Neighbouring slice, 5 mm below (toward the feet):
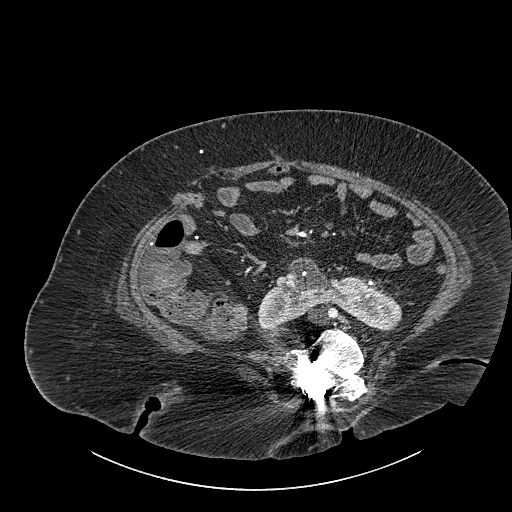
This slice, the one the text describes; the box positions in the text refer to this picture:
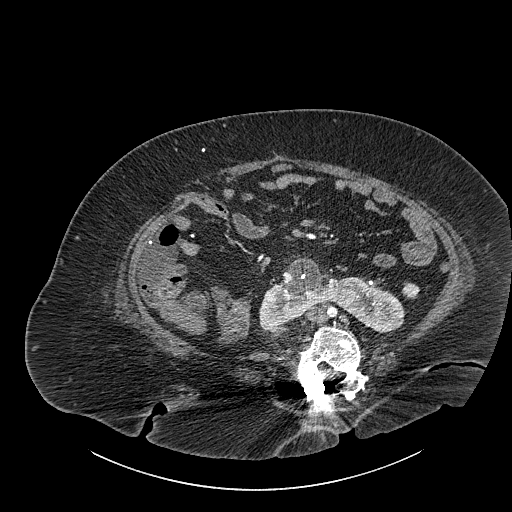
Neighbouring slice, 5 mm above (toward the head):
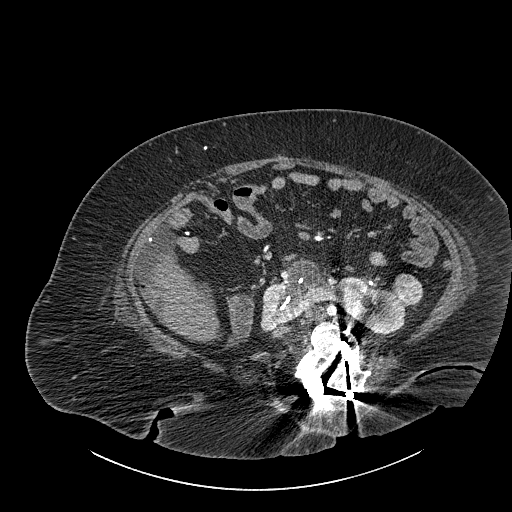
One axial slice (474 of 834, counting up from the lowest) of a contrast-enhanced abdominal CT acquired with 140 kVp, kernel I30f; each pixel is 0.977 mm and the slice is 1.00 mm thick.
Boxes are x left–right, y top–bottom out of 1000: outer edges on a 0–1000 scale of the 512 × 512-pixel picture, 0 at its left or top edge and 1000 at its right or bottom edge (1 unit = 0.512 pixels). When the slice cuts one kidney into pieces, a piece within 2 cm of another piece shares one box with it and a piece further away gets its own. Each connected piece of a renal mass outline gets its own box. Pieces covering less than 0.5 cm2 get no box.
Boxed on this slice (one kidney box and one renal mass box), listed by box centre from the image's left to its right: (1) Kidney crossing the body midline at x 506–795, y 500–650 out of 1000 (outlined area 5,814 px, about 55.4 cm2). (2) Box x 783–820, y 549–586 out of 1000: renal mass (outlined area 248 px, about 2.4 cm2). This slice lies near the end of a renal mass toward the feet; the slices 5 mm below and 5 mm above it are shown too, and the boxes mark positions on this slice only.